Arterial-phase contrast-enhanced abdominal CT, axial slice 359 of 527 (counted from the lowest slice); tube voltage 120 kVp, convolution kernel I30f; slices 1.00 mm thick, 0.859 mm per pixel.
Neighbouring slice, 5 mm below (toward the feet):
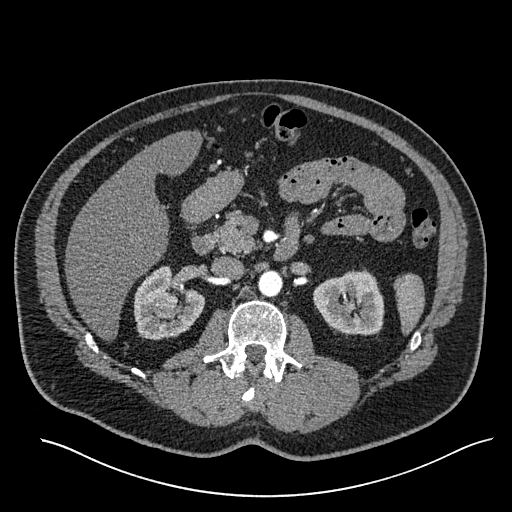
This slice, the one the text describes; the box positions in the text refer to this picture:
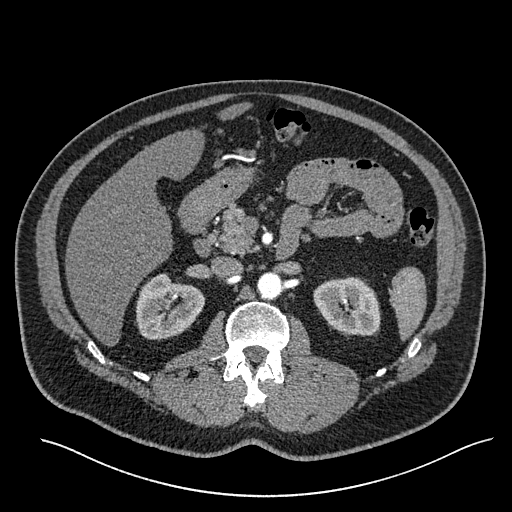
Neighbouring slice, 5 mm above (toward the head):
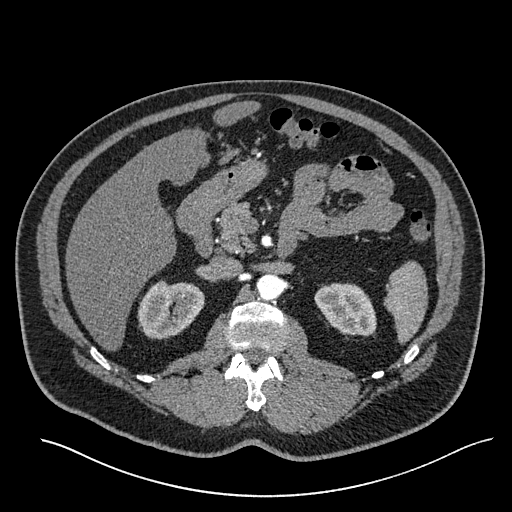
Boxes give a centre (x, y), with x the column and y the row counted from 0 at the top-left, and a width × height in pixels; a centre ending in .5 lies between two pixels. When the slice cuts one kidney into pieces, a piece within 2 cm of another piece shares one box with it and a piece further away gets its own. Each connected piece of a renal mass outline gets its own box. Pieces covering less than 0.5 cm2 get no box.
Two kidney boxes and one renal mass box on this slice; by box centre, from the image's left to its right: (1) Right renal mass in a box with centre (166, 303.5), 11 × 12 pixels (outlined area 108 px, about 0.8 cm2). (2) Right kidney in a box with centre (170, 306.5), 71 × 68 pixels (outlined area 3,269 px, about 24.1 cm2). (3) Left kidney, box centre (346.5, 306.5), 68 × 62 pixels (outlined area 3,161 px, about 23.3 cm2). This slice is near the end of the right renal mass toward the head, so the slices 5 mm below and 5 mm above it are shown as well; the boxes refer to this slice only.